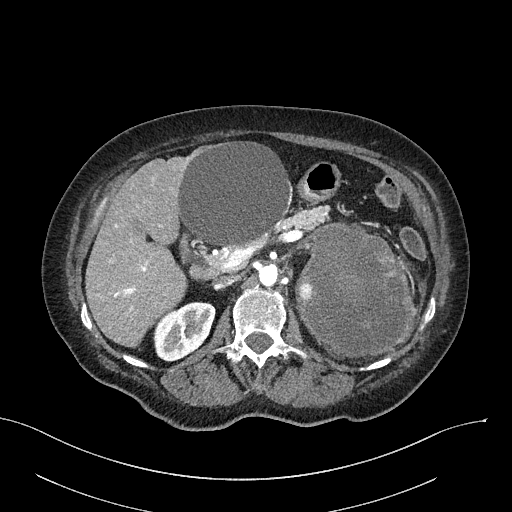
Arterial-phase contrast-enhanced abdominal CT, axial slice 164 of 316 (counted from the lowest slice); tube voltage 100 kVp, convolution kernel I40f; slices 2.00 mm thick, 0.840 mm per pixel.
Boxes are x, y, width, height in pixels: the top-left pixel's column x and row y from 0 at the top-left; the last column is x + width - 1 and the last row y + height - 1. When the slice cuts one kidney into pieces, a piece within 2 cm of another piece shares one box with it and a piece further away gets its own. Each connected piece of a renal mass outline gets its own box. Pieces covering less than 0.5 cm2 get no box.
Two boxes on this slice (one kidney box and one renal mass box), listed by box centre from the image's left to its right. (1) Box x 153, y 301, width 63, height 61: right kidney (outlined area 2,674 px, about 18.9 cm2). (2) Left renal mass, box x 295, y 222, width 122, height 135 (outlined area 12,324 px, about 86.9 cm2); here it is more than 1 cm from any kidney outline, though on another slice the same outlined renal mass lies within 1 cm of the kidney.